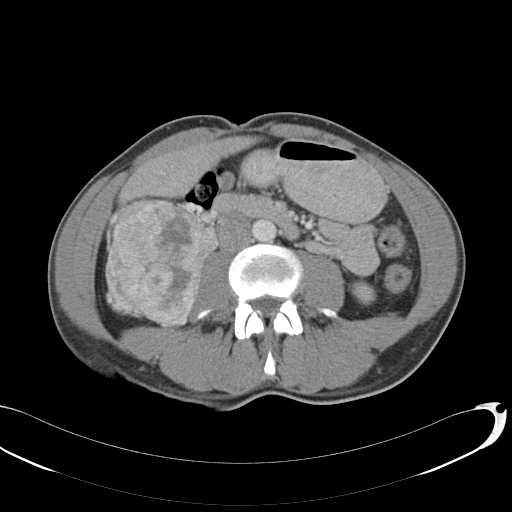
Axial slice 56 of 146 of a contrast-enhanced abdominal CT (slice 1 is the lowest), 120 kVp, kernel B31f; 5.00 mm slice thickness and 0.742 mm pixels.
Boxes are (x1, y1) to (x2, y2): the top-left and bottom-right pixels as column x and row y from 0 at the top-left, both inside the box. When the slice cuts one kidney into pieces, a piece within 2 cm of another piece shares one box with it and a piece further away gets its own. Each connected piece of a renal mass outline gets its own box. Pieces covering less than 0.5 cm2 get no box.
Two kidney boxes and one renal mass box on this slice; by box centre, from the image's left to its right: (1) Right kidney from (105, 252) to (140, 318) (outlined area 783 px, about 4.3 cm2). (2) Right renal mass from (109, 197) to (218, 327) (outlined area 9,984 px, about 55.0 cm2). (3) Box (348, 280) to (376, 305): left kidney (outlined area 523 px, about 2.9 cm2).